Axial slice 497 of 735 of a contrast-enhanced abdominal CT in the arterial phase (slice 1 is the lowest), 120 kVp, kernel I30f; 1.00 mm slice thickness and 0.789 mm pixels.
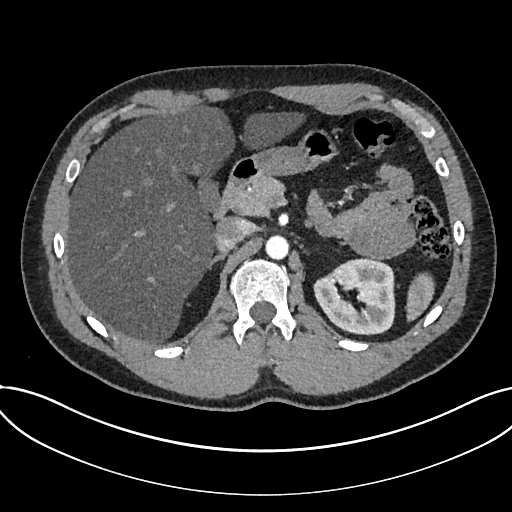
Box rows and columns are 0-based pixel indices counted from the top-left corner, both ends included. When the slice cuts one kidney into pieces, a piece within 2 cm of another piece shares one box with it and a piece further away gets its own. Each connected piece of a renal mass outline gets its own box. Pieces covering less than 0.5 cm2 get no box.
Kidney at rows 258–335, columns 313–395 (outlined area 4,794 px, about 29.8 cm2). This slice carries no renal mass outline.